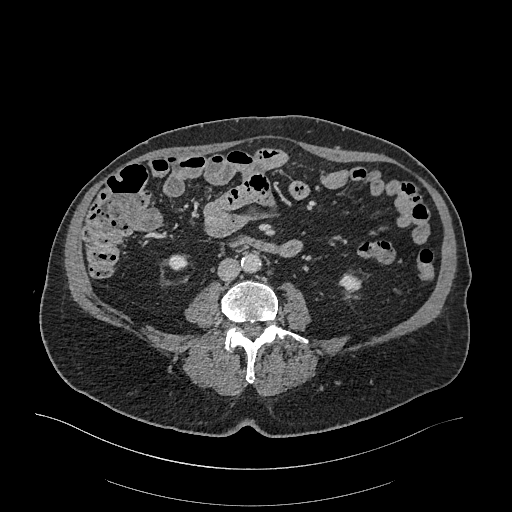
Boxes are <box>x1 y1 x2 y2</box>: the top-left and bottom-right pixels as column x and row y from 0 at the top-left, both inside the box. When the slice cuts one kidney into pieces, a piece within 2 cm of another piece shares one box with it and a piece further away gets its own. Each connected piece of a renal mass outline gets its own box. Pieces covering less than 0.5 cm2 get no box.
Slice 66/470 of a contrast-enhanced abdominal CT in the arterial phase, counting up from the lowest; pixel size 0.938 mm, slice thickness 1.00 mm. Two kidney boxes on this slice; by box centre, from the image's left to its right: (1) At <box>168 254 186 270</box>: right kidney (outlined area 244 px, about 2.1 cm2). (2) At <box>340 274 361 291</box>: left kidney (outlined area 297 px, about 2.6 cm2). This slice carries no renal mass outline.
Scan settings: 120 kVp, I26f reconstruction kernel.